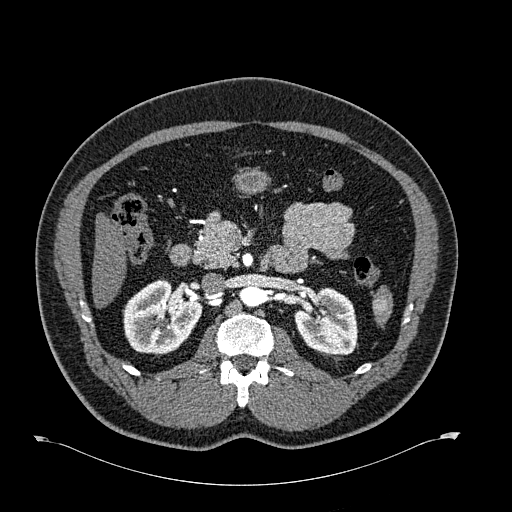
Arterial-phase contrast-enhanced abdominal CT, axial slice 392 of 723 (counted from the lowest slice); tube voltage 120 kVp, convolution kernel B30f; slices 1.00 mm thick, 0.895 mm per pixel.
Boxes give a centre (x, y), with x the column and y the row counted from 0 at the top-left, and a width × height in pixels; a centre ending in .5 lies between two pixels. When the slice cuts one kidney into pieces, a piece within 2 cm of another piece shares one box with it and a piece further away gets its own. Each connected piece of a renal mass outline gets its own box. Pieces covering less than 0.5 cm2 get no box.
Two boxes on this slice (two kidney boxes), listed by box centre from the image's left to its right. (1) Right kidney in a box with centre (162, 317), 79 × 75 pixels (outlined area 4,323 px, about 34.6 cm2). (2) Left kidney in a box with centre (326, 321), 65 × 69 pixels (outlined area 3,247 px, about 26.0 cm2). No renal mass is outlined on this slice.